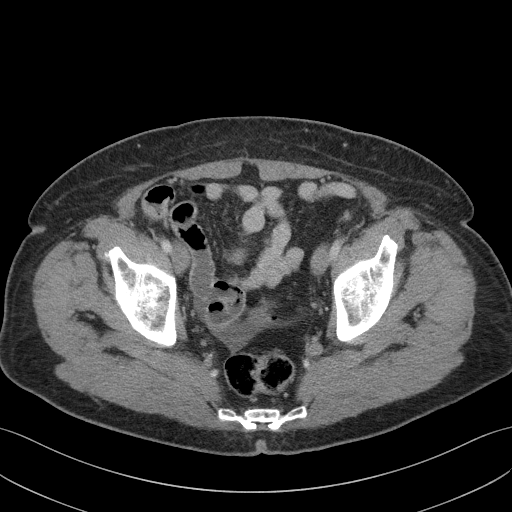
Abdominal CT with intravenous contrast, axial plane, 100 kVp, kernel I41f. Slice 24/103 from the bottom of the scan; thickness 4.00 mm; pixel size 0.742 mm.
Neither a kidney nor a renal mass is outlined here. Only kidneys and renal masses are outlined anywhere in this scan; other structures are never outlined.